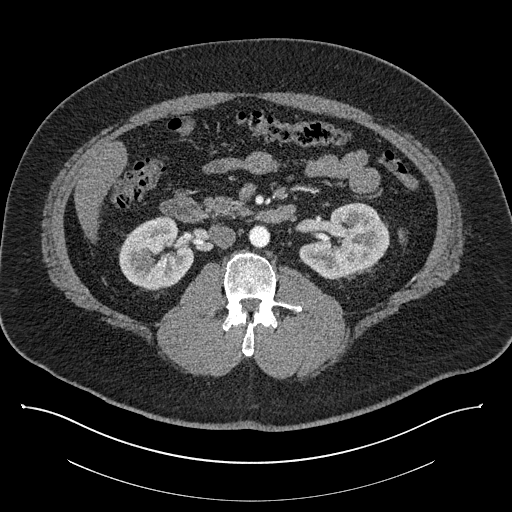
Axial slice 477 of 787 of a contrast-enhanced abdominal CT (slice 1 is the lowest), 140 kVp, kernel I30f; 1.00 mm slice thickness and 0.910 mm pixels.
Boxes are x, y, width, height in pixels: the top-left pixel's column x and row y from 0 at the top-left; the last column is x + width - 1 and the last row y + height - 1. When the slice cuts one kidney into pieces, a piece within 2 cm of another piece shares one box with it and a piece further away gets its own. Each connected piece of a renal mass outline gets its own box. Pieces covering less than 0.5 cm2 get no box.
Two boxes on this slice (two kidney boxes), listed by box centre from the image's left to its right. (1) Right kidney at x 118, y 216, width 76, height 75 (outlined area 4,110 px, about 34.0 cm2). (2) Left kidney at x 299, y 202, width 91, height 78 (outlined area 4,789 px, about 39.7 cm2). No renal mass is outlined on this slice.